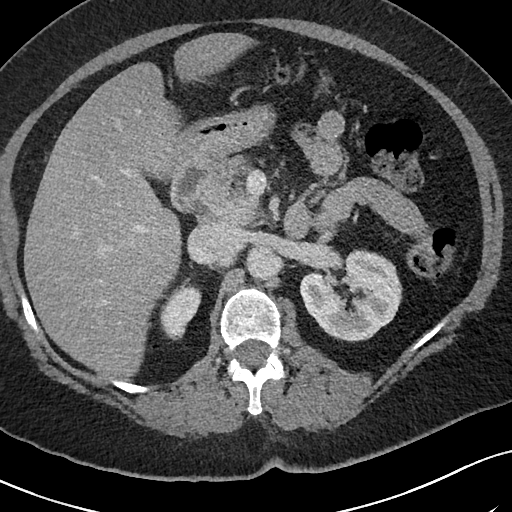
Arterial-phase contrast-enhanced abdominal CT, axial slice 51 of 69 (counted from the lowest slice); tube voltage 120 kVp, convolution kernel I40f; slices 3.00 mm thick, 0.664 mm per pixel.
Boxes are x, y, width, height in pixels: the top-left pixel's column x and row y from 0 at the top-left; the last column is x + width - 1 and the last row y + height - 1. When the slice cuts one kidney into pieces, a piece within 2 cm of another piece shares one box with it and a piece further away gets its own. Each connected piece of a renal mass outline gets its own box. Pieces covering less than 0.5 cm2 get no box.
Two boxes on this slice (two kidney boxes), listed by box centre from the image's left to its right. (1) Right kidney, box x 160, y 278, width 42, height 63 (outlined area 1,635 px, about 7.2 cm2). (2) Left kidney at x 300, y 248, width 103, height 94 (outlined area 6,812 px, about 30.0 cm2). This slice carries no renal mass outline.